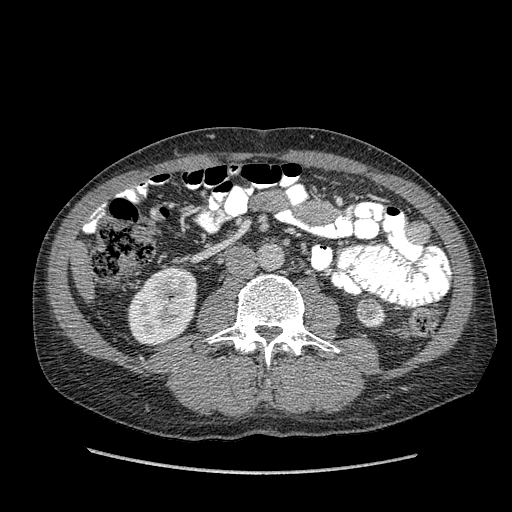
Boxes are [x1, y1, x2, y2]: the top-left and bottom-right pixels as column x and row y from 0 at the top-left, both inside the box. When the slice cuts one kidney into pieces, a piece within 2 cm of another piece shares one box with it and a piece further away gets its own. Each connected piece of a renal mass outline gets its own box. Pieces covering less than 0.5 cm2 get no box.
Arterial-phase contrast-enhanced abdominal CT, axial slice 174 of 349 (counted from the lowest slice); 1.25 mm thick, 0.742 mm per pixel. Boxed on this slice (two kidney boxes and one renal mass box), listed by box centre from the image's left to its right: (1) Box [127, 267, 197, 347]: right kidney (outlined area 4,262 px, about 23.5 cm2). (2) Left renal mass at [355, 298, 381, 320] (outlined area 487 px, about 2.7 cm2). (3) Left kidney at [358, 308, 384, 327] (outlined area 210 px, about 1.2 cm2).
Tube voltage 120 kVp; convolution kernel STANDARD.